One axial slice (221 of 1059, counting up from the lowest) of an arterial-phase abdominal CT acquired with 100 kVp, kernel I30f; each pixel is 0.811 mm and the slice is 1.00 mm thick.
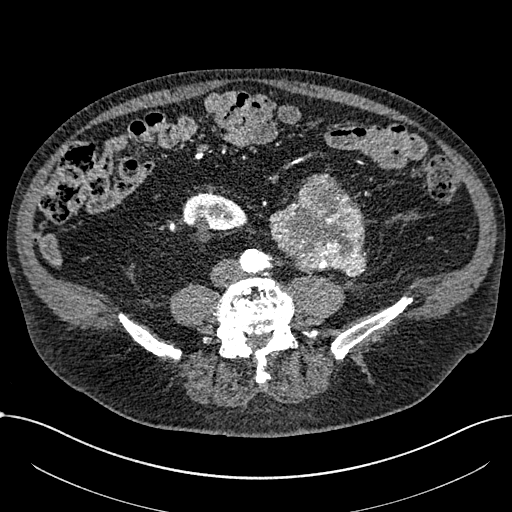
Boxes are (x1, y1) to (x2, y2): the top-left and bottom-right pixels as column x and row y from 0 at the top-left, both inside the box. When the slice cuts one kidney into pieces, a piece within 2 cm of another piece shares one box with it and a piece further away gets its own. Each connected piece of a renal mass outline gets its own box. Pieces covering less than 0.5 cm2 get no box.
One kidney box and one renal mass box on this slice; by box centre, from the image's left to its right: (1) Box (182, 193) to (247, 241): right part of the midline-crossing kidney (outlined area 2,068 px, about 13.6 cm2). (2) Box (269, 173) to (366, 277): renal mass (outlined area 7,063 px, about 46.4 cm2); on this slice it lies more than 1 cm from any kidney outline, but the same outlined renal mass comes within 1 cm of the kidney on another slice.